Arterial-phase contrast-enhanced abdominal CT, axial slice 415 of 673 (counted from the lowest slice); tube voltage 120 kVp, convolution kernel I30f; slices 1.00 mm thick, 0.855 mm per pixel.
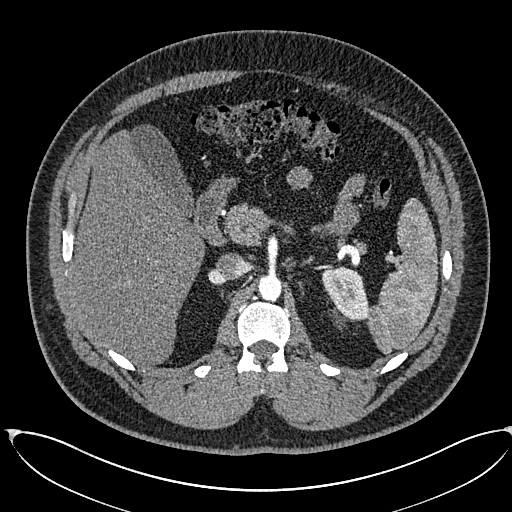
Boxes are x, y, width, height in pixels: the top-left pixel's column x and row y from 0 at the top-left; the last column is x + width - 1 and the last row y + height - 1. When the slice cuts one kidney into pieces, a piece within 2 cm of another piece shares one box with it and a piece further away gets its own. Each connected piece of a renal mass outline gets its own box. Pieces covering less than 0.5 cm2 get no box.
Box x 322, y 266, width 48, height 54: left kidney (outlined area 1,835 px, about 13.4 cm2). This slice carries no renal mass outline.